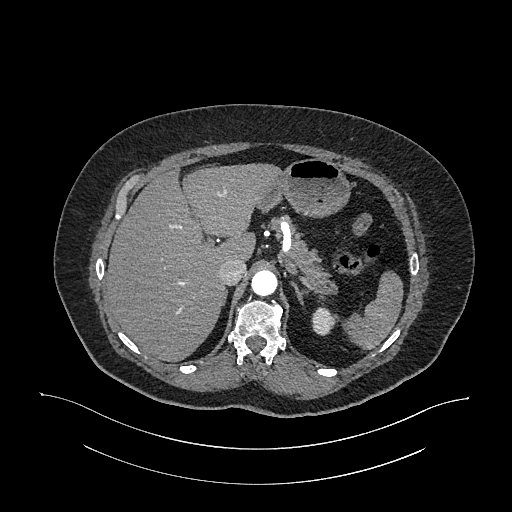
Arterial-phase contrast-enhanced abdominal CT, axial slice 796 of 987 (counted from the lowest slice); tube voltage 120 kVp, convolution kernel I26f; slices 1.00 mm thick, 0.977 mm per pixel.
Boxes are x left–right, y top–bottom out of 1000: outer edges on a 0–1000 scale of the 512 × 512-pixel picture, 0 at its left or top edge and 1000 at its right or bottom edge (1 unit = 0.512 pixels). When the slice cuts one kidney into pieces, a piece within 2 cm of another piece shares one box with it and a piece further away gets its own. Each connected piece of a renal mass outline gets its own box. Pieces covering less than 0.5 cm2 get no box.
Left kidney at x 607–658, y 600–656 out of 1000 (outlined area 549 px, about 5.2 cm2). No renal mass is outlined on this slice.